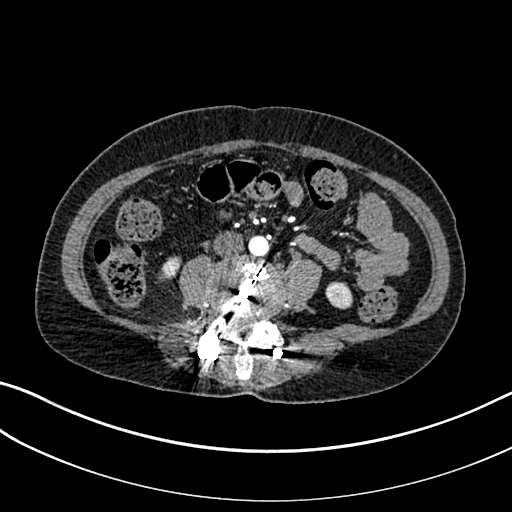
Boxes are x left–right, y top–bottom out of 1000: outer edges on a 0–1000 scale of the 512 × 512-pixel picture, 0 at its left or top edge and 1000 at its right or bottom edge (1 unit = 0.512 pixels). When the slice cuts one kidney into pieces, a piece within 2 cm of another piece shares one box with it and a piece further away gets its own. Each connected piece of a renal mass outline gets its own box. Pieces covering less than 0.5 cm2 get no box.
Slice 54/325 of a contrast-enhanced abdominal CT in the arterial phase, counting up from the lowest; pixel size 0.703 mm, slice thickness 1.00 mm. Two kidney boxes on this slice; by box centre, from the image's left to its right: (1) Right kidney, box x 309–355, y 500–551 out of 1000 (outlined area 387 px, about 1.9 cm2). (2) Box x 635–689, y 549–605 out of 1000: left kidney (outlined area 603 px, about 3.0 cm2). No renal mass is outlined on this slice.
Scan settings: 100 kVp, I30f reconstruction kernel.